Abdominal CT with intravenous contrast, arterial phase, axial plane, 120 kVp, kernel B30f. Slice 367/512 from the bottom of the scan; thickness 1.00 mm; pixel size 0.771 mm.
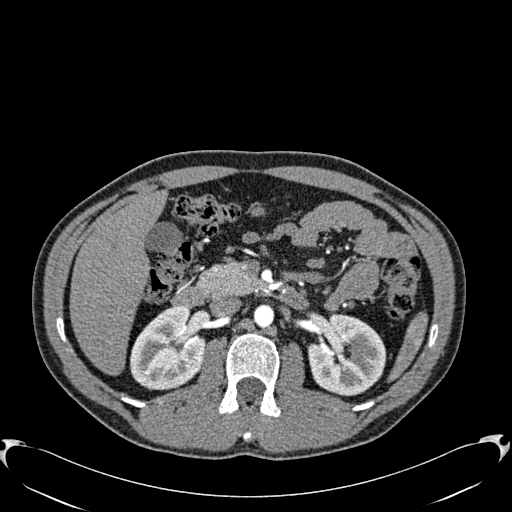
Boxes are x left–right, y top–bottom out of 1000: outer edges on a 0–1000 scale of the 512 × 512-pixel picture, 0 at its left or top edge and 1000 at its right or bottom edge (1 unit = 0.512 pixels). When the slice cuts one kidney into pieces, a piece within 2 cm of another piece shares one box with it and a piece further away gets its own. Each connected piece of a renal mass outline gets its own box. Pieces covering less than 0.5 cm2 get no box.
Two boxes on this slice (two kidney boxes), listed by box centre from the image's left to its right. (1) Box x 254–402, y 596–764 out of 1000: right kidney (outlined area 4,742 px, about 28.2 cm2). (2) Left kidney at x 600–756, y 613–775 out of 1000 (outlined area 4,909 px, about 29.2 cm2). No renal mass is outlined on this slice.